One axial slice (114 of 302, counting up from the lowest) of an arterial-phase abdominal CT acquired with 100 kVp, kernel I30f; each pixel is 0.875 mm and the slice is 5.00 mm thick.
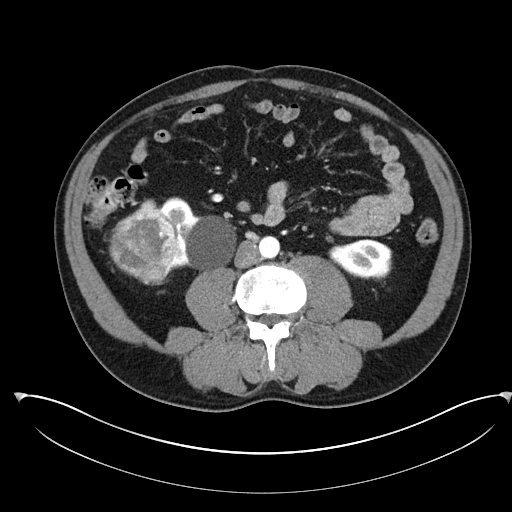
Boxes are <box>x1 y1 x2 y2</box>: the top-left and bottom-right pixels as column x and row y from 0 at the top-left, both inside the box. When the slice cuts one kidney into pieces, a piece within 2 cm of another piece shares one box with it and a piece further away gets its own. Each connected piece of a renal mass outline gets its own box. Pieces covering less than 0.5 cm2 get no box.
Three boxes on this slice (two kidney boxes and one renal mass box), listed by box centre from the image's left to its right. (1) Right renal mass at <box>109 199 179 285</box> (outlined area 4,250 px, about 32.5 cm2). (2) Right kidney: <box>160 197 236 269</box> (outlined area 3,367 px, about 25.8 cm2). (3) At <box>328 239 392 280</box>: left kidney (outlined area 1,995 px, about 15.3 cm2).